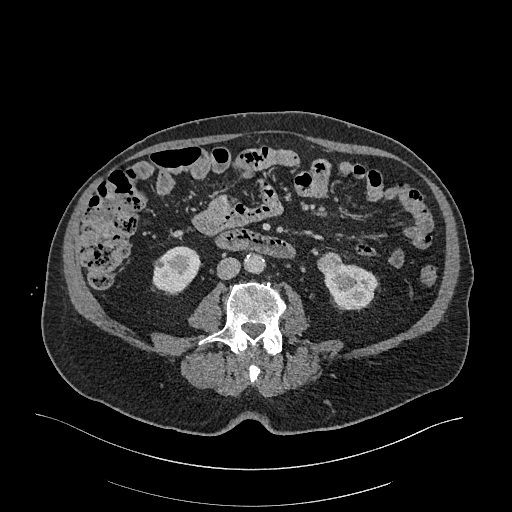
One axial slice (89 of 470, counting up from the lowest) of an arterial-phase abdominal CT acquired with 120 kVp, kernel I26f; each pixel is 0.938 mm and the slice is 1.00 mm thick.
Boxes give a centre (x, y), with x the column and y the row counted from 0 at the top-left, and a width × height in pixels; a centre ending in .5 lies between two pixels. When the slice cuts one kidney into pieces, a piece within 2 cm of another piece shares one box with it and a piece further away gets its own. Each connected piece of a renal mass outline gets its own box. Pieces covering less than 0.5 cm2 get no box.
Two kidney boxes and one renal mass box on this slice; by box centre, from the image's left to its right: (1) Box centre (176, 270), 49 × 49 pixels: right kidney (outlined area 1,767 px, about 15.5 cm2). (2) Left renal mass, box centre (329.5, 263), 26 × 23 pixels (outlined area 449 px, about 3.9 cm2). (3) Left kidney, box centre (350.5, 286.5), 54 × 48 pixels (outlined area 1,830 px, about 16.1 cm2).